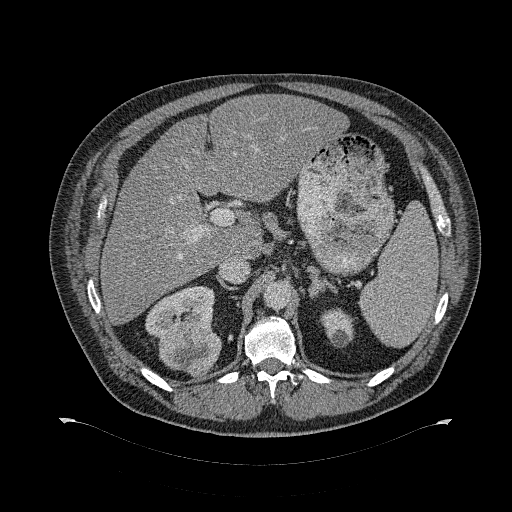
One axial slice (215 of 274, counting up from the lowest) of a contrast-enhanced abdominal CT acquired with 120 kVp, kernel B31f; each pixel is 0.977 mm and the slice is 2.00 mm thick.
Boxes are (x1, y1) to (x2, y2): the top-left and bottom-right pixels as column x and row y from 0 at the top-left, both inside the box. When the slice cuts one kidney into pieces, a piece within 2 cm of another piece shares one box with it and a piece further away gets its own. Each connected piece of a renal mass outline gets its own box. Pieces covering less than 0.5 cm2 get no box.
Three boxes on this slice (two kidney boxes and one renal mass box), listed by box centre from the image's left to its right. (1) Box (145, 285) to (213, 339): right kidney (outlined area 2,283 px, about 21.8 cm2). (2) Right renal mass, box (158, 321) to (221, 376) (outlined area 2,622 px, about 25.0 cm2). (3) Left kidney, box (320, 308) to (355, 347) (outlined area 1,000 px, about 9.5 cm2).